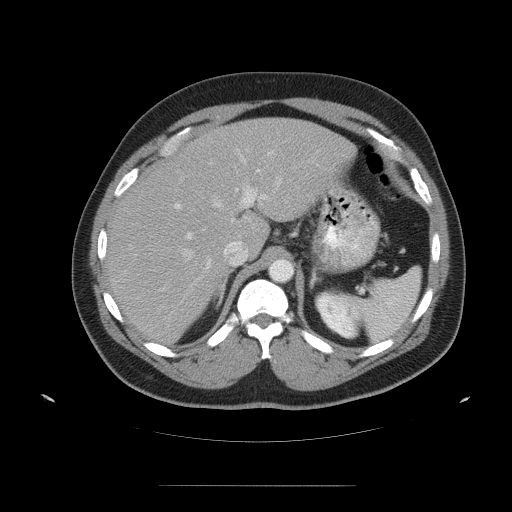
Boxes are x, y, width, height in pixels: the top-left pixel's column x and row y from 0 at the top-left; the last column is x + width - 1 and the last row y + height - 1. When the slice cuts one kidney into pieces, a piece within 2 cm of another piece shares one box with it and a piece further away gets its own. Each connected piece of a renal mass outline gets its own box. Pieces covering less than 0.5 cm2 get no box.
This is axial slice 81 of 99 (slice 1 is the lowest) of an abdominal CT with contrast; each pixel is 0.938 mm and the slice is 5.00 mm thick. Box x 314, y 288, width 48, height 52: left kidney (outlined area 1,364 px, about 12.0 cm2). This slice carries no renal mass outline.
Acquired at 120 kVp and reconstructed with the STANDARD kernel.